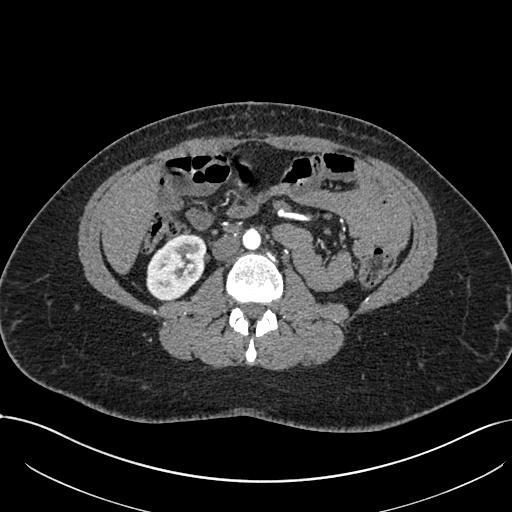
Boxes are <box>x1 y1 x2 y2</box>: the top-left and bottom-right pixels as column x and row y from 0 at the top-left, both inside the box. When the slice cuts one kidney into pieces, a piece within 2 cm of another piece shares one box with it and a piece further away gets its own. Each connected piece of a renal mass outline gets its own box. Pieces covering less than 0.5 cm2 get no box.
Slice 360/738 of a contrast-enhanced abdominal CT in the arterial phase, counting up from the lowest; pixel size 0.789 mm, slice thickness 1.00 mm. Right kidney: <box>146 234 206 300</box> (outlined area 3,015 px, about 18.8 cm2). No renal mass is outlined on this slice.
Tube voltage 120 kVp; convolution kernel I30f.